One axial slice (375 of 591, counting up from the lowest) of an arterial-phase abdominal CT acquired with 140 kVp, kernel I30f; each pixel is 0.703 mm and the slice is 1.00 mm thick.
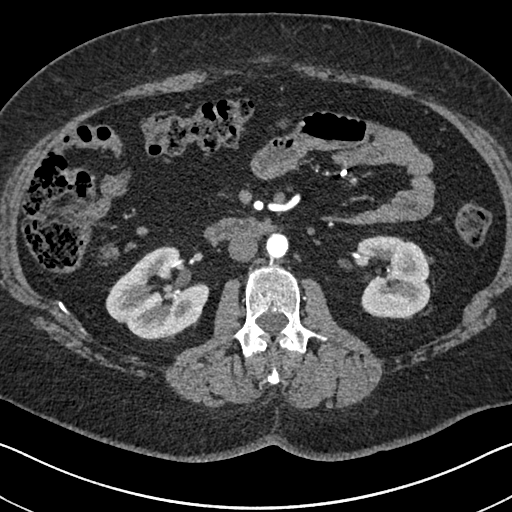
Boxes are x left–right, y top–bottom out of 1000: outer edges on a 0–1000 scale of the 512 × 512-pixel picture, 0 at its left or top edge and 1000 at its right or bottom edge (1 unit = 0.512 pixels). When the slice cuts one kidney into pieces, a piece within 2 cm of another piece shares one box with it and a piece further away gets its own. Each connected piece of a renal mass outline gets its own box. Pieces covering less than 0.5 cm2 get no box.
Boxed on this slice (two kidney boxes), listed by box centre from the image's left to its right: (1) Right kidney, box x 205–412, y 480–666 out of 1000 (outlined area 6,322 px, about 31.3 cm2). (2) Box x 693–842, y 459–623 out of 1000: left kidney (outlined area 4,887 px, about 24.2 cm2). No renal mass outline on this slice.